Abdominal CT with intravenous contrast, arterial phase, axial plane, 120 kVp, kernel B30f. Slice 12/59 from the bottom of the scan; thickness 5.00 mm; pixel size 0.871 mm.
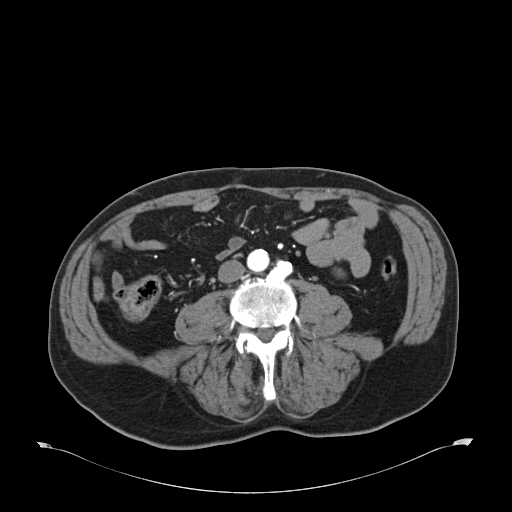
Neither a kidney nor a renal mass is outlined here. Only kidneys and renal masses are outlined anywhere in this scan; other structures are never outlined.